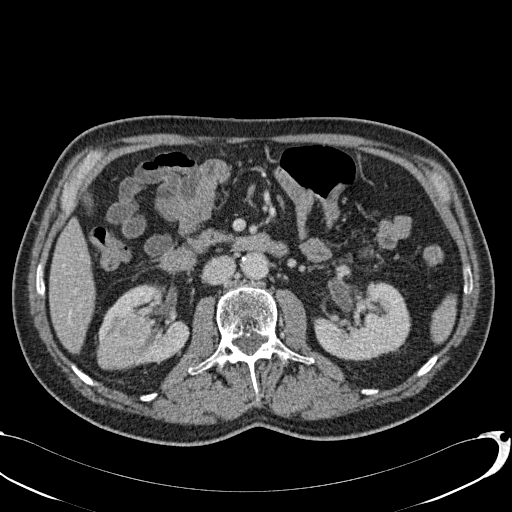
Contrast-enhanced abdominal CT, axial slice 40 of 113 (counted from the lowest slice); tube voltage 120 kVp, convolution kernel B31f; slices 2.00 mm thick, 0.742 mm per pixel.
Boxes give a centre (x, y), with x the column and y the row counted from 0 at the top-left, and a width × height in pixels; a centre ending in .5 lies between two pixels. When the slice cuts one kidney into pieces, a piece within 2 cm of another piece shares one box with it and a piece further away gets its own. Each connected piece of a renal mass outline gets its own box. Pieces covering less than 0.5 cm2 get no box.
Two kidney boxes and one renal mass box on this slice; by box centre, from the image's left to its right: (1) Box centre (124.5, 337.5), 58 × 58 pixels: right renal mass (outlined area 2,422 px, about 13.3 cm2). (2) Right kidney, box centre (142.5, 326.5), 92 × 88 pixels (outlined area 3,394 px, about 18.7 cm2). (3) Left kidney in a box with centre (362, 321.5), 99 × 80 pixels (outlined area 5,427 px, about 29.9 cm2).